Contrast-enhanced abdominal CT, axial slice 35 of 103 (counted from the lowest slice); tube voltage 120 kVp, convolution kernel STANDARD; slices 2.50 mm thick, 0.736 mm per pixel.
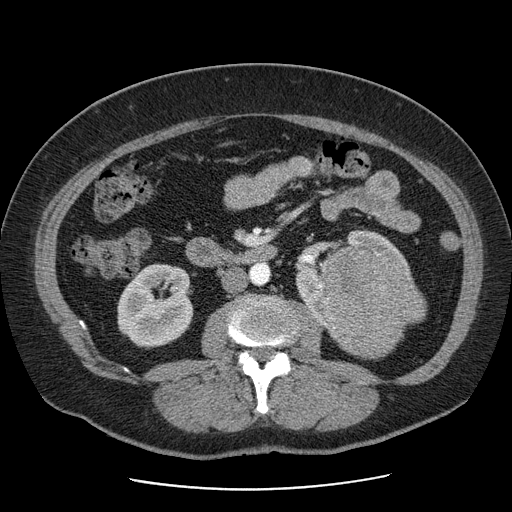
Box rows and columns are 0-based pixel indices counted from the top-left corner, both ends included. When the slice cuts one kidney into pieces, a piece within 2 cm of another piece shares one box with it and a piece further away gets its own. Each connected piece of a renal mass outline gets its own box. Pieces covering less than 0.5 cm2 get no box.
Two kidney boxes and one renal mass box on this slice; by box centre, from the image's left to its right: (1) Right kidney at rows 263–349, columns 117–193 (outlined area 5,060 px, about 27.4 cm2). (2) Left kidney at rows 230–331, columns 296–410 (outlined area 2,661 px, about 14.4 cm2). (3) Left renal mass at rows 246–358, columns 323–425 (outlined area 8,612 px, about 46.7 cm2).